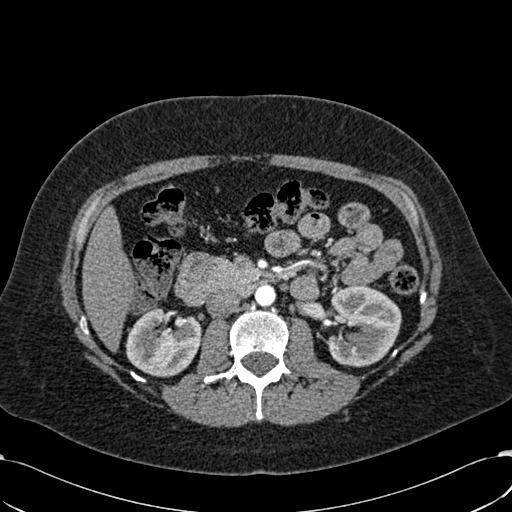
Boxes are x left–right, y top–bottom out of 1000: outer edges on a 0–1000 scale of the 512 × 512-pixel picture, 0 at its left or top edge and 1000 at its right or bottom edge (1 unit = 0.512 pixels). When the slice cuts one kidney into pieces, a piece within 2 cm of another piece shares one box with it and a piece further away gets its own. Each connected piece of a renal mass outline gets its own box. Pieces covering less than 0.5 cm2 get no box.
This is axial slice 349 of 532 (slice 1 is the lowest) of an arterial-phase abdominal CT with contrast; each pixel is 0.713 mm and the slice is 1.00 mm thick. Two kidney boxes on this slice; by box centre, from the image's left to its right: (1) Right kidney at x 244–395, y 598–738 out of 1000 (outlined area 4,001 px, about 20.3 cm2). (2) Left kidney at x 639–785, y 557–719 out of 1000 (outlined area 4,734 px, about 24.1 cm2). No renal mass outline on this slice.
Scan settings: 120 kVp, B30f reconstruction kernel.